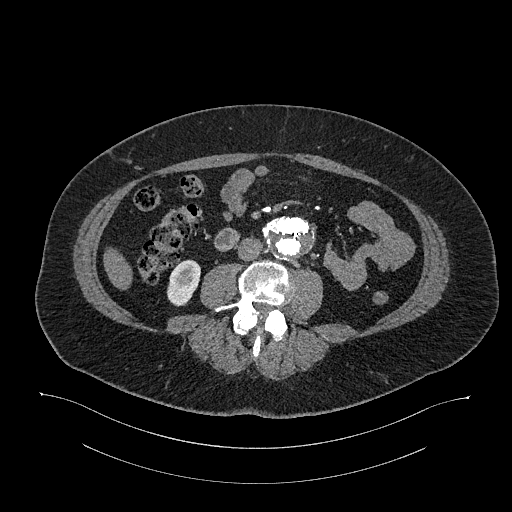
Axial slice 543 of 987 of a contrast-enhanced abdominal CT in the arterial phase (slice 1 is the lowest), 120 kVp, kernel I26f; 1.00 mm slice thickness and 0.977 mm pixels.
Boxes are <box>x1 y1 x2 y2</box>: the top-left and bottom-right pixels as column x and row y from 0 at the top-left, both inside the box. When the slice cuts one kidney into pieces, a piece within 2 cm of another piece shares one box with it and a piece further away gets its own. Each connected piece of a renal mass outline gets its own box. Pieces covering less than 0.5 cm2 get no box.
At <box>166 259 200 306</box>: right kidney (outlined area 1,174 px, about 11.2 cm2). No renal mass is outlined on this slice.